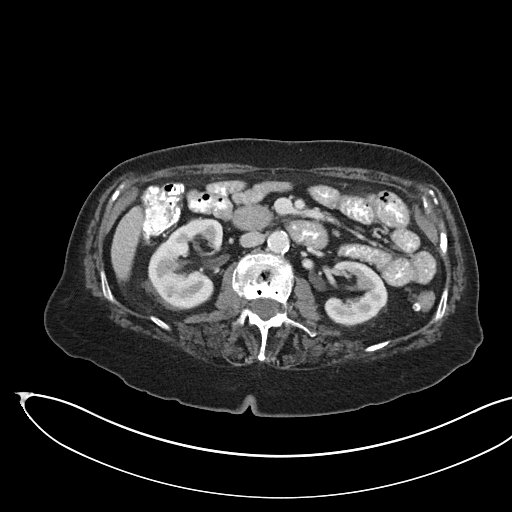
One axial slice (95 of 145, counting up from the lowest) of an arterial-phase abdominal CT acquired with 100 kVp, kernel I40f; each pixel is 0.834 mm and the slice is 3.00 mm thick.
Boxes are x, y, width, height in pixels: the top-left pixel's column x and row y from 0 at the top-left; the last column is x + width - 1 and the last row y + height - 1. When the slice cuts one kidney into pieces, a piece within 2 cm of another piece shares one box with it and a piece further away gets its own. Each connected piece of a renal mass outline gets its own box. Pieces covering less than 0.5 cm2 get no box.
Two kidney boxes on this slice; by box centre, from the image's left to its right: (1) Box x 148, y 218, width 76, height 91: kidney (outlined area 4,720 px, about 32.8 cm2). (2) Box x 323, y 261, width 64, height 65: kidney (outlined area 2,743 px, about 19.1 cm2). No renal mass is outlined on this slice.